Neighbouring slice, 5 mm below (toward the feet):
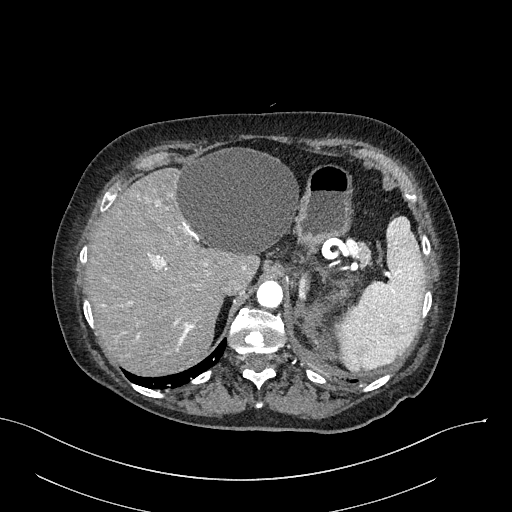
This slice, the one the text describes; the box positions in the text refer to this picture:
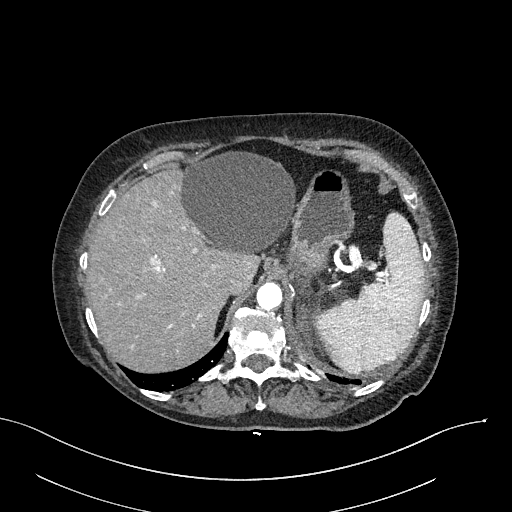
Arterial-phase contrast-enhanced abdominal CT, axial slice 221 of 316 (counted from the lowest slice); tube voltage 100 kVp, convolution kernel I40f; slices 2.00 mm thick, 0.840 mm per pixel.
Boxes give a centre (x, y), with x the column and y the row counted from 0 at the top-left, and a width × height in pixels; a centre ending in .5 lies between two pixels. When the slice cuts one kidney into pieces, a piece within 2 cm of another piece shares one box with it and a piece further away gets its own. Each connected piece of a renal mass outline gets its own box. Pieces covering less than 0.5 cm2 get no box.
Left renal mass in a box with centre (304.5, 323.5), 18 × 42 pixels (outlined area 541 px, about 3.8 cm2); this slice has no kidney outline, though on another slice the same outlined renal mass lies within 1 cm of the kidney. This slice is near the end of the left renal mass toward the head, so the slice 5 mm below it is shown as well; the boxes refer to this slice only.